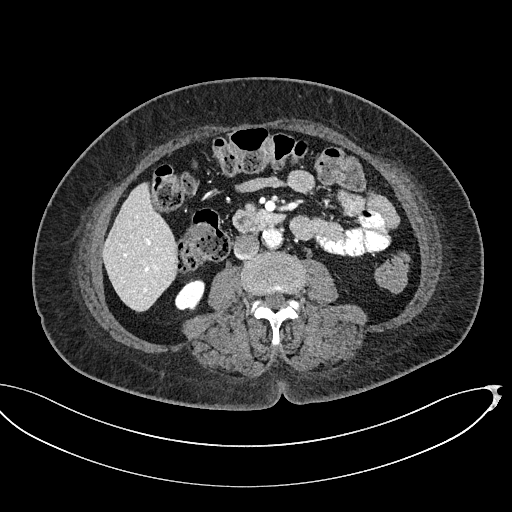
Axial slice 259 of 439 of a contrast-enhanced abdominal CT (slice 1 is the lowest), 100 kVp, kernel I40f; 2.00 mm slice thickness and 0.850 mm pixels.
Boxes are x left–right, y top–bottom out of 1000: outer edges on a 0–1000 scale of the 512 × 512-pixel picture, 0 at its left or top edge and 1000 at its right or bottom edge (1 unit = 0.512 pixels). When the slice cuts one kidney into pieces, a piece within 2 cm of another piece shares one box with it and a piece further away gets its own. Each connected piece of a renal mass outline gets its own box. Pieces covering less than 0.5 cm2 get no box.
Right kidney at x 340–402, y 545–609 out of 1000 (outlined area 708 px, about 5.1 cm2). No renal mass outline on this slice.